Arterial-phase contrast-enhanced abdominal CT, axial slice 473 of 553 (counted from the lowest slice); tube voltage 120 kVp, convolution kernel B20f; slices 1.00 mm thick, 0.773 mm per pixel.
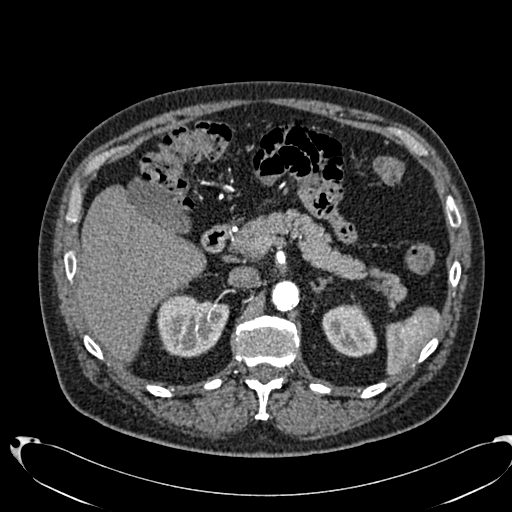
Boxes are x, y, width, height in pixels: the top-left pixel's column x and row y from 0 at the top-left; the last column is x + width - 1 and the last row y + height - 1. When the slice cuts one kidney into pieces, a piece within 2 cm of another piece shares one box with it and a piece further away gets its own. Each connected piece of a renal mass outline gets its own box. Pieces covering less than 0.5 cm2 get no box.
Boxed on this slice (two kidney boxes), listed by box centre from the image's left to its right: (1) Right kidney at x 157, y 294, width 73, height 64 (outlined area 3,492 px, about 20.9 cm2). (2) Left kidney, box x 322, y 304, width 55, height 54 (outlined area 2,229 px, about 13.3 cm2). This slice carries no renal mass outline.